Abdominal CT with intravenous contrast, arterial phase, axial plane, 100 kVp, kernel I41f. Slice 50/85 from the bottom of the scan; thickness 5.00 mm; pixel size 0.664 mm.
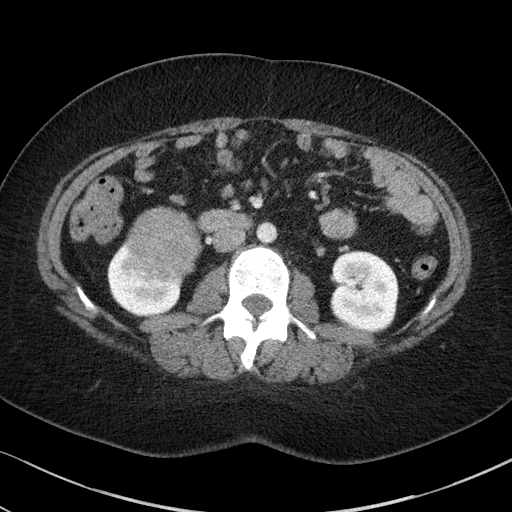
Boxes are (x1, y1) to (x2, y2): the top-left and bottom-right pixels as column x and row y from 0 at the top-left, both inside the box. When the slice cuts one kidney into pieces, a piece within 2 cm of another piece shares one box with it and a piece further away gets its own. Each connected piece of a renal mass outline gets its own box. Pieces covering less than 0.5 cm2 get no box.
Boxed on this slice (two kidney boxes and one renal mass box), listed by box centre from the image's left to its right: (1) Right kidney, box (107, 244) to (182, 317) (outlined area 2,767 px, about 12.2 cm2). (2) Right renal mass from (123, 206) to (203, 282) (outlined area 4,694 px, about 20.7 cm2). (3) Left kidney, box (330, 250) to (398, 330) (outlined area 4,575 px, about 20.2 cm2).